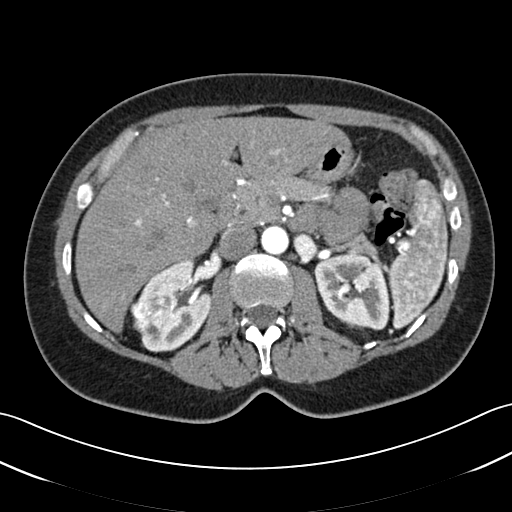
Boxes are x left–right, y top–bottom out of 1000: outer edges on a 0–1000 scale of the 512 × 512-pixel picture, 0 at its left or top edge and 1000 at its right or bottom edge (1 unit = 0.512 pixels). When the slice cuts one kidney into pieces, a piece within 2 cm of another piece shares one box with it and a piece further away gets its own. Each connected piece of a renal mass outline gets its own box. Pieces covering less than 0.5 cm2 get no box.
Arterial-phase contrast-enhanced abdominal CT, axial slice 28 of 52 (counted from the lowest slice); 3.00 mm thick, 0.678 mm per pixel. Boxed on this slice (two kidney boxes and one renal mass box), listed by box centre from the image's left to its right: (1) Right renal mass at x 254–305, y 584–650 out of 1000 (outlined area 637 px, about 2.9 cm2). (2) Box x 268–414, y 504–689 out of 1000: right kidney (outlined area 4,712 px, about 21.6 cm2). (3) Box x 613–764, y 494–643 out of 1000: left kidney (outlined area 4,500 px, about 20.7 cm2).
Scan settings: 120 kVp, B30f reconstruction kernel.